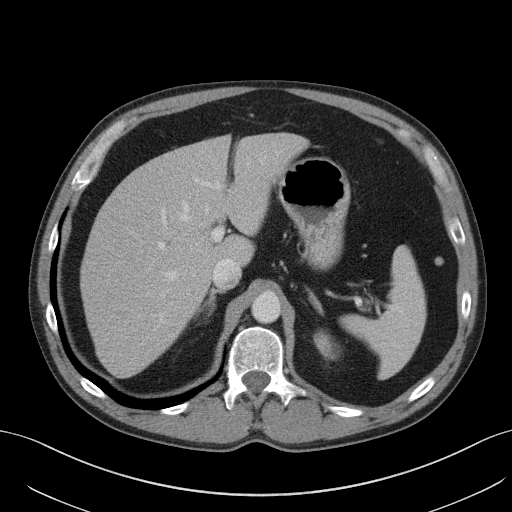
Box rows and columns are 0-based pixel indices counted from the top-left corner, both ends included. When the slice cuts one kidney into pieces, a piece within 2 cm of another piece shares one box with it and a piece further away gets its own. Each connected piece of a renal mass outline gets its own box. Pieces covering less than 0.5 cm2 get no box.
Slice 71/131 of a contrast-enhanced abdominal CT in the arterial phase, counting up from the lowest; pixel size 0.760 mm, slice thickness 5.00 mm. Left kidney, box rows 332–357, columns 314–333 (outlined area 334 px, about 1.9 cm2). This slice carries no renal mass outline.
Acquired at 120 kVp and reconstructed with the B41f kernel.